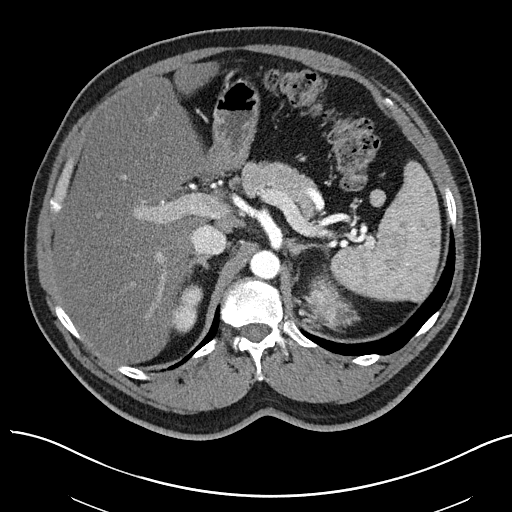
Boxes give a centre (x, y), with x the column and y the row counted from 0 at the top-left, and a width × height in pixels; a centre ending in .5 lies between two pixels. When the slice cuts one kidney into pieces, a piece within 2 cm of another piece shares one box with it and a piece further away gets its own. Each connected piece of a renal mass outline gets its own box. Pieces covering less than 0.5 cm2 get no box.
Slice 54/97 of a contrast-enhanced abdominal CT in the arterial phase, counting up from the lowest; pixel size 0.797 mm, slice thickness 3.00 mm. Boxed on this slice (one kidney box and one renal mass box), listed by box centre from the image's left to its right: (1) Right kidney in a box with centre (186, 312.5), 31 × 42 pixels (outlined area 874 px, about 5.5 cm2). (2) Box centre (332.5, 297.5), 56 × 58 pixels: left renal mass (outlined area 1,753 px, about 11.1 cm2); on this slice it lies more than 1 cm from any kidney outline, but the same outlined renal mass comes within 1 cm of the kidney on another slice.
Scan settings: 100 kVp, I40f reconstruction kernel.